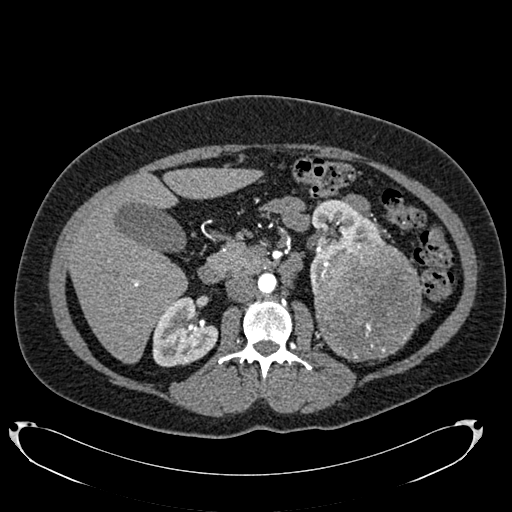
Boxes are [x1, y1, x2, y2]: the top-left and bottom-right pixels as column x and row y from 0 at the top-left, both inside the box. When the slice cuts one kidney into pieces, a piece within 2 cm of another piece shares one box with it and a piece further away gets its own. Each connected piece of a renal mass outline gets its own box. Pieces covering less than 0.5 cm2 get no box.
This is axial slice 429 of 634 (slice 1 is the lowest) of an arterial-phase abdominal CT with contrast; each pixel is 0.838 mm and the slice is 1.00 mm thick. Three boxes on this slice (two kidney boxes and one renal mass box), listed by box centre from the image's left to its right. (1) Right kidney at [152, 297, 218, 367] (outlined area 3,329 px, about 23.4 cm2). (2) Left kidney, box [308, 198, 385, 293] (outlined area 2,975 px, about 20.9 cm2). (3) Left renal mass at [314, 239, 421, 361] (outlined area 10,637 px, about 74.7 cm2).
Acquired at 120 kVp and reconstructed with the B20f kernel.